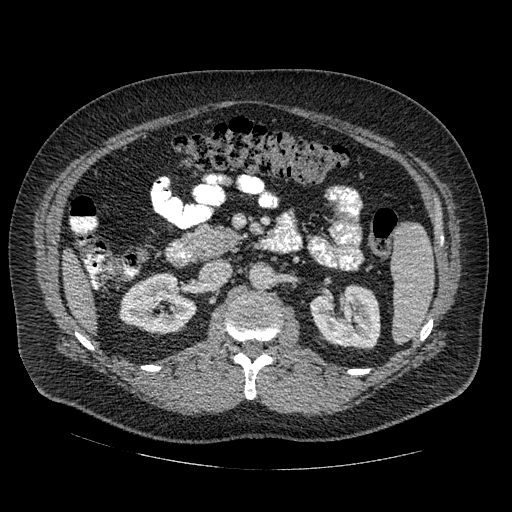
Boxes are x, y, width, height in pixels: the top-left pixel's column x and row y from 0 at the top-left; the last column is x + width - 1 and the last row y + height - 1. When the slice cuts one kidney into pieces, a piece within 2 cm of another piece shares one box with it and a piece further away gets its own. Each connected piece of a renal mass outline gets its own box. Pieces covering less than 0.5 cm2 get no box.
This is axial slice 283 of 445 (slice 1 is the lowest) of an arterial-phase abdominal CT with contrast; each pixel is 0.863 mm and the slice is 1.25 mm thick. Two kidney boxes on this slice; by box centre, from the image's left to its right: (1) Right kidney, box x 119, y 273, width 79, height 63 (outlined area 3,452 px, about 25.7 cm2). (2) Left kidney, box x 310, y 283, width 71, height 67 (outlined area 3,544 px, about 26.4 cm2). No renal mass is outlined on this slice.
Tube voltage 120 kVp; convolution kernel STANDARD.